One axial slice (136 of 269, counting up from the lowest) of a contrast-enhanced abdominal CT acquired with 100 kVp, kernel I30f; each pixel is 0.732 mm and the slice is 5.00 mm thick.
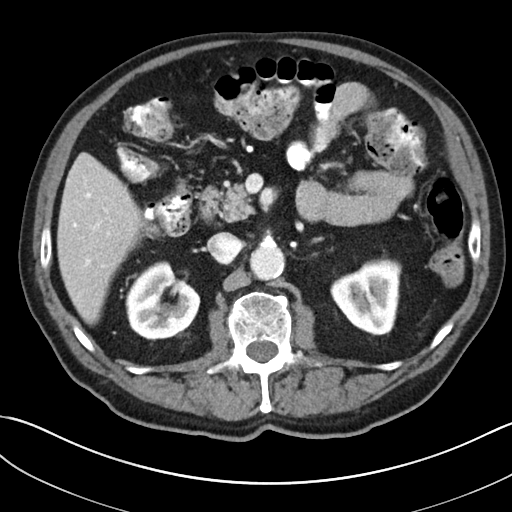
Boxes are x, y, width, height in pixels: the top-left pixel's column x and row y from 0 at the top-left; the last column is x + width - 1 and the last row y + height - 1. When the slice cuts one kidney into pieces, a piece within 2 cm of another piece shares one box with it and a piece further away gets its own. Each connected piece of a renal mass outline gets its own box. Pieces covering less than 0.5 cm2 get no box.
Two kidney boxes on this slice; by box centre, from the image's left to its right: (1) Box x 125, y 261, width 76, height 79: right kidney (outlined area 4,209 px, about 22.6 cm2). (2) Left kidney, box x 330, y 255, width 72, height 81 (outlined area 4,030 px, about 21.6 cm2). This slice carries no renal mass outline.